Axial slice 177 of 304 of a contrast-enhanced abdominal CT in the arterial phase (slice 1 is the lowest), 100 kVp, kernel I30f; 2.00 mm slice thickness and 0.809 mm pixels.
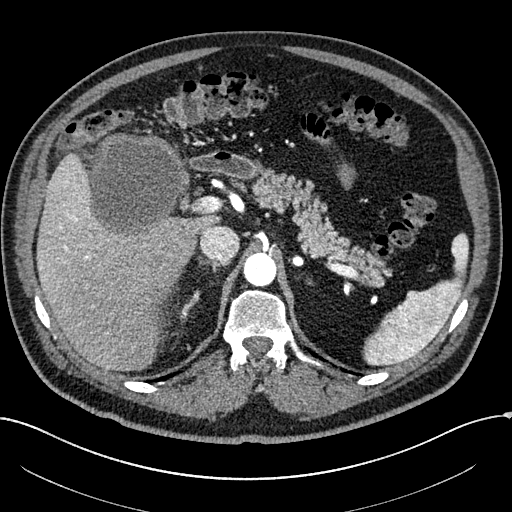
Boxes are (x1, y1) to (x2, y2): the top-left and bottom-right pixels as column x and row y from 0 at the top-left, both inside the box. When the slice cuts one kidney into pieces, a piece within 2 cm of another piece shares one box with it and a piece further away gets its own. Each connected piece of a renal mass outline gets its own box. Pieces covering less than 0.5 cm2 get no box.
Right renal mass from (76, 133) to (189, 241) (outlined area 8,948 px, about 58.5 cm2); this slice has no kidney outline, though on another slice the same outlined renal mass lies within 1 cm of the kidney.